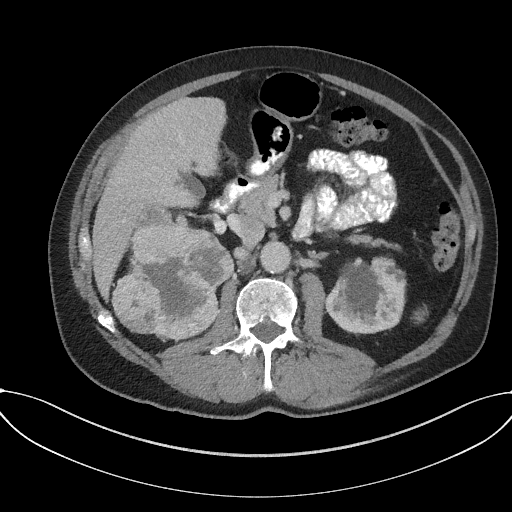
Axial slice 99 of 227 of a contrast-enhanced abdominal CT in the arterial phase (slice 1 is the lowest), 120 kVp, kernel I31f; 3.00 mm slice thickness and 0.816 mm pixels.
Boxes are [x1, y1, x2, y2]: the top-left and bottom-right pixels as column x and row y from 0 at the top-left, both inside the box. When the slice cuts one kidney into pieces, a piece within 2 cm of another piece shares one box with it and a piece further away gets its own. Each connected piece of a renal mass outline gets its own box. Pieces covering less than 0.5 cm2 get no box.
Boxed on this slice (one kidney box and one renal mass box), listed by box centre from the image's left to its right: (1) Box [111, 212, 234, 339]: right renal mass (outlined area 11,137 px, about 74.2 cm2); it sits over 1 cm from every kidney outline on this slice, but the same outlined renal mass comes within 1 cm of the kidney on another slice. (2) Box [326, 256, 406, 334]: left kidney (outlined area 4,908 px, about 32.7 cm2).